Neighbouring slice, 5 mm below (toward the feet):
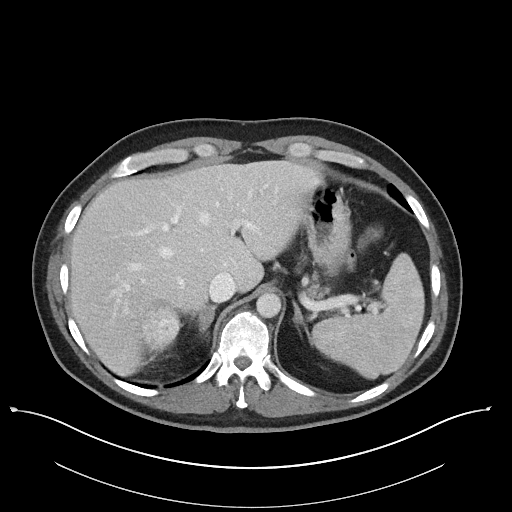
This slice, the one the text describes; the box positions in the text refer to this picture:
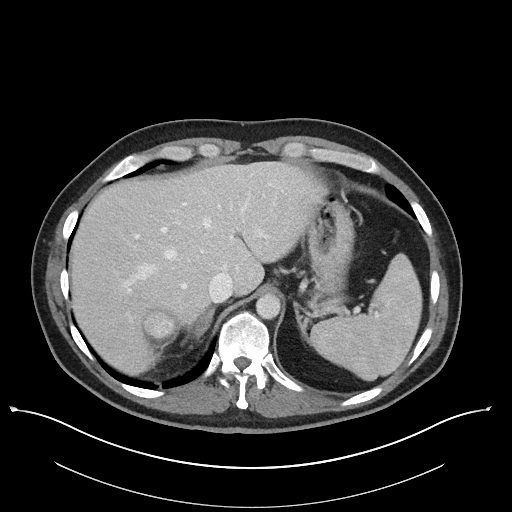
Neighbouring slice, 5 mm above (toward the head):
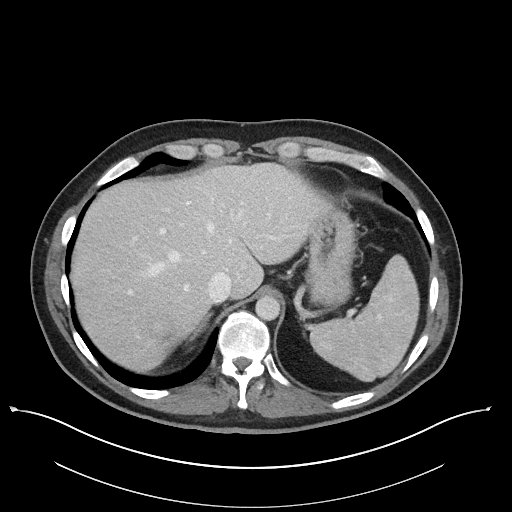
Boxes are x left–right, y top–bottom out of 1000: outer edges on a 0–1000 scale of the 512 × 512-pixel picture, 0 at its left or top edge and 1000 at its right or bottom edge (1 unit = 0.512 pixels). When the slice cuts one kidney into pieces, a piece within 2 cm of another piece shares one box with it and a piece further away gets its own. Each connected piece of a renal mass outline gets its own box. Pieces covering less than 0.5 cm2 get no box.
This is axial slice 85 of 101 (slice 1 is the lowest) of an abdominal CT with contrast; each pixel is 0.879 mm and the slice is 5.00 mm thick. Box x 279–344, y 607–664 out of 1000: right renal mass (outlined area 694 px, about 5.4 cm2); no kidney outline appears on this slice, but the same outlined renal mass comes within 1 cm of the kidney on another slice. This slice lies near the end of the right renal mass toward the head; the slices 5 mm below and 5 mm above it are shown too, and the boxes mark positions on this slice only.
Acquired at 100 kVp and reconstructed with the I40f kernel.